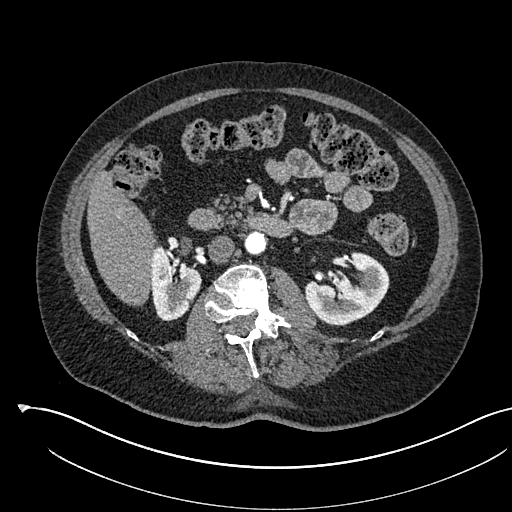
Axial slice 310 of 541 of a contrast-enhanced abdominal CT in the arterial phase (slice 1 is the lowest), 120 kVp, kernel I30f; 1.00 mm slice thickness and 0.834 mm pixels.
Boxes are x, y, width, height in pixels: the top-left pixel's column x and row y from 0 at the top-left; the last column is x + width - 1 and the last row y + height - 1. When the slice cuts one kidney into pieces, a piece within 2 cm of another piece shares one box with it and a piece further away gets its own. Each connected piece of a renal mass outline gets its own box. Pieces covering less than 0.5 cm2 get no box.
Boxed on this slice (two kidney boxes), listed by box centre from the image's left to its right: (1) Box x 150, y 244, width 52, height 78: right kidney (outlined area 2,783 px, about 19.4 cm2). (2) Left kidney, box x 304, y 251, width 86, height 75 (outlined area 4,210 px, about 29.3 cm2). No renal mass is outlined on this slice.